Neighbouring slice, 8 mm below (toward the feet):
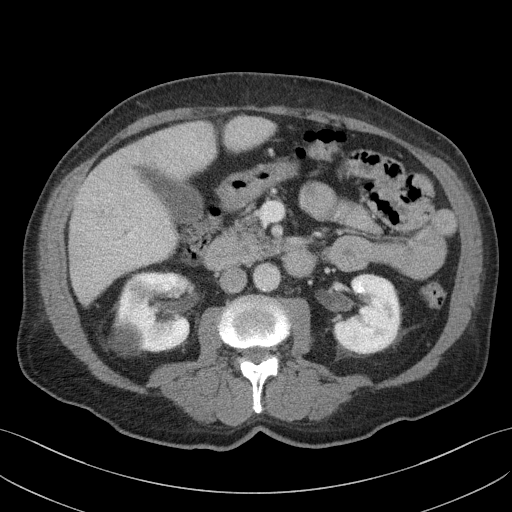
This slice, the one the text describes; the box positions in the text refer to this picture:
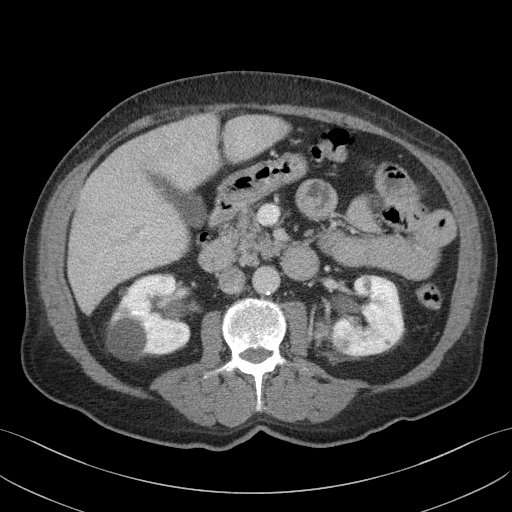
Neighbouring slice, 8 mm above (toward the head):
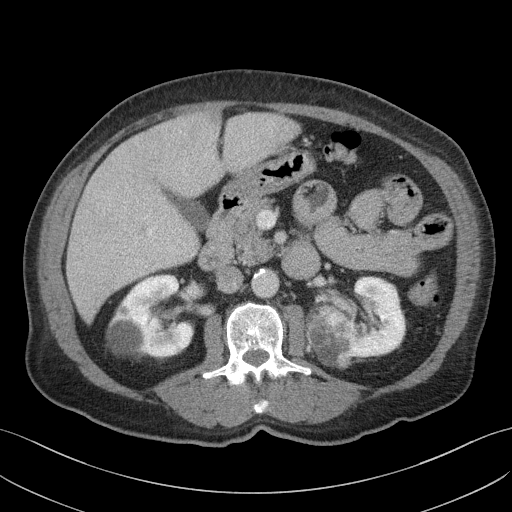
Abdominal CT with intravenous contrast, axial plane, 100 kVp, kernel I41f. Slice 69/103 from the bottom of the scan; thickness 4.00 mm; pixel size 0.742 mm.
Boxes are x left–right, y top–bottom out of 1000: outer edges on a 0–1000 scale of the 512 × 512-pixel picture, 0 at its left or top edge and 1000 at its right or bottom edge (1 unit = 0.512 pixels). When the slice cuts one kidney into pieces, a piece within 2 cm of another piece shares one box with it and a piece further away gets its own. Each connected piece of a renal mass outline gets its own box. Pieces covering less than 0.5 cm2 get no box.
Three boxes on this slice (two kidney boxes and one renal mass box), listed by box centre from the image's left to its right. (1) Right kidney at x 207–373, y 533–705 out of 1000 (outlined area 5,569 px, about 30.7 cm2). (2) Left renal mass, box x 611–646, y 625–668 out of 1000 (outlined area 295 px, about 1.6 cm2). (3) Left kidney at x 648–791, y 535–697 out of 1000 (outlined area 4,597 px, about 25.3 cm2). This slice is near the end of the left renal mass toward the feet, so the slices 8 mm below and 8 mm above it are shown as well; the boxes refer to this slice only.